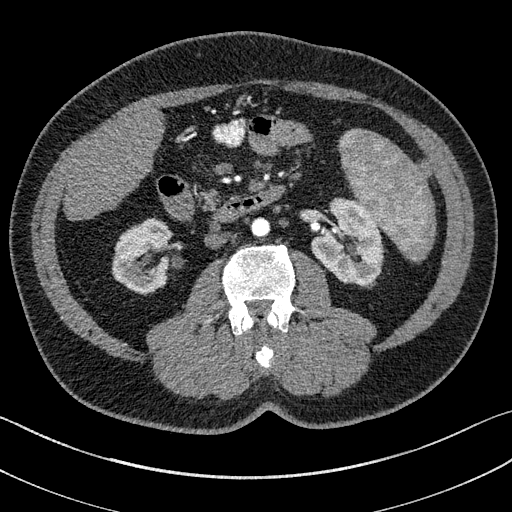
One axial slice (72 of 195, counting up from the lowest) of an arterial-phase abdominal CT acquired with 100 kVp, kernel I31f; each pixel is 0.707 mm and the slice is 1.50 mm thick.
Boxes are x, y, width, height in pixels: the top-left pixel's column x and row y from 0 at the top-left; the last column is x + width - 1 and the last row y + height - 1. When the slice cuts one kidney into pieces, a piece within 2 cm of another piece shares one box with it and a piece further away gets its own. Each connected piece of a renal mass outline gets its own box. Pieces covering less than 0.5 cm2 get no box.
Boxed on this slice (two kidney boxes), listed by box centre from the image's left to its right: (1) Box x 112, y 218, width 62, height 77: right kidney (outlined area 3,312 px, about 16.6 cm2). (2) Left kidney, box x 311, y 198, width 73, height 89 (outlined area 4,478 px, about 22.4 cm2). No renal mass is outlined on this slice.